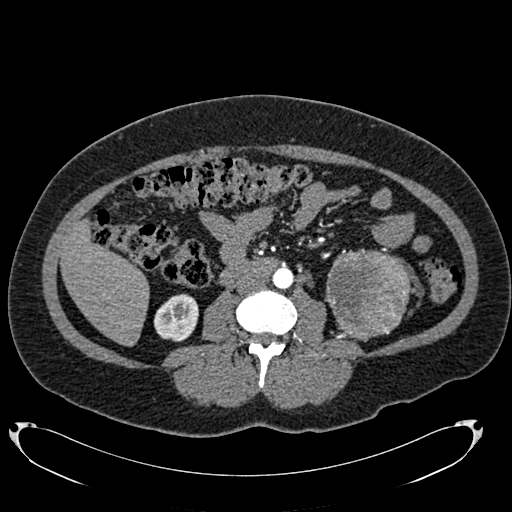
Abdominal CT with intravenous contrast, arterial phase, axial plane, 120 kVp, kernel B20f. Slice 347/634 from the bottom of the scan; thickness 1.00 mm; pixel size 0.838 mm.
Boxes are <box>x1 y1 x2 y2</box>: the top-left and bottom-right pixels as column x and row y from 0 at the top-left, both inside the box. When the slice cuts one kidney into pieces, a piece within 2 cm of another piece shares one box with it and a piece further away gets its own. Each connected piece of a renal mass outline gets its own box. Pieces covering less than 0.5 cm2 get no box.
Boxed on this slice (one kidney box and one renal mass box), listed by box centre from the image's left to its right: (1) Right kidney at <box>153 293 198 341</box> (outlined area 1,672 px, about 11.7 cm2). (2) Left renal mass: <box>325 248 414 341</box> (outlined area 6,163 px, about 43.3 cm2); it sits over 1 cm from every kidney outline on this slice, but the same outlined renal mass comes within 1 cm of the kidney on another slice.